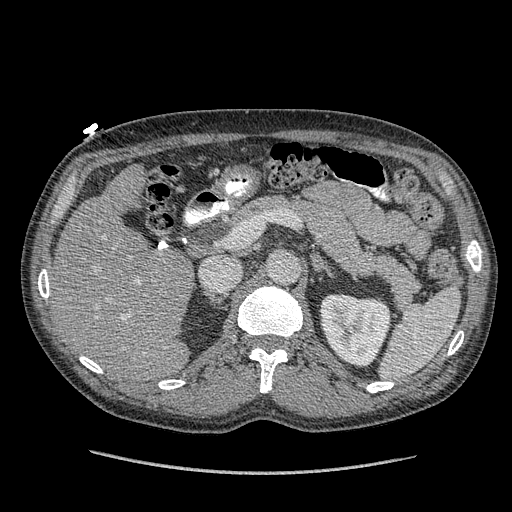
Arterial-phase contrast-enhanced abdominal CT, axial slice 244 of 349 (counted from the lowest slice); tube voltage 120 kVp, convolution kernel STANDARD; slices 1.25 mm thick, 0.742 mm per pixel.
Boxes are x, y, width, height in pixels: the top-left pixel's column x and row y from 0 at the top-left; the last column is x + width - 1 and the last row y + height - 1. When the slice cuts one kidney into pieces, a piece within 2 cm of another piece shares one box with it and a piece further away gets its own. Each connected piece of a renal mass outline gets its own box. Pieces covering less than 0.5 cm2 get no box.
Left kidney at x 320, y 293, width 73, height 75 (outlined area 4,105 px, about 22.6 cm2). This slice carries no renal mass outline.